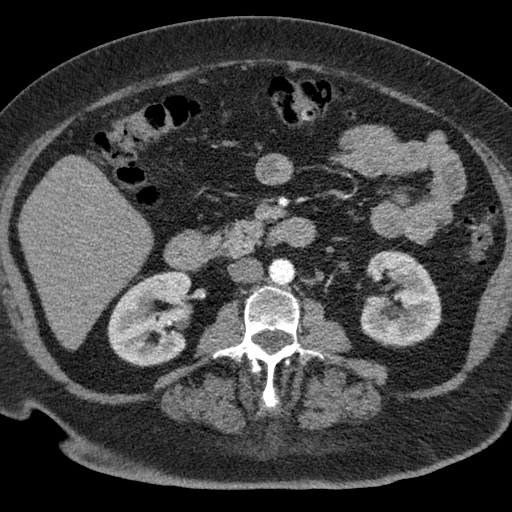
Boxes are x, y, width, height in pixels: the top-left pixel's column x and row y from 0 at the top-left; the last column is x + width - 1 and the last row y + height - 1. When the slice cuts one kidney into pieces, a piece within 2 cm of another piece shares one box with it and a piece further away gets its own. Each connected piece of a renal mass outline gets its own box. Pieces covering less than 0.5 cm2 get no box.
Slice 30/76 of a contrast-enhanced abdominal CT, counting up from the lowest; pixel size 0.684 mm, slice thickness 3.00 mm. Two boxes on this slice (two kidney boxes), listed by box centre from the image's left to its right. (1) Box x 107, y 269, width 86, height 99: right kidney (outlined area 6,075 px, about 28.4 cm2). (2) Box x 359, y 250, width 83, height 98: left kidney (outlined area 5,877 px, about 27.5 cm2). No renal mass outline on this slice.
Scan settings: 120 kVp, B reconstruction kernel.